Arterial-phase contrast-enhanced abdominal CT, axial slice 236 of 470 (counted from the lowest slice); tube voltage 120 kVp, convolution kernel I26f; slices 1.00 mm thick, 0.938 mm per pixel.
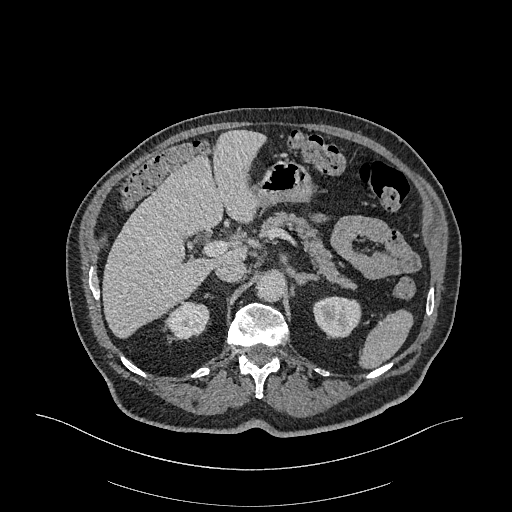
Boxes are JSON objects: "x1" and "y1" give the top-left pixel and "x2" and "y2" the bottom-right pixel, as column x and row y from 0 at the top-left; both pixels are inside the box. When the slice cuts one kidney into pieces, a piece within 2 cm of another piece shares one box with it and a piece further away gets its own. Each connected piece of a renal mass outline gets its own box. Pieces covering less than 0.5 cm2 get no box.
Two boxes on this slice (two kidney boxes), listed by box centre from the image's left to its right. (1) Right kidney, box {"x1": 166, "y1": 301, "x2": 210, "y2": 340} (outlined area 1,304 px, about 11.5 cm2). (2) Box {"x1": 312, "y1": 296, "x2": 361, "y2": 337}: left kidney (outlined area 1,625 px, about 14.3 cm2). No renal mass outline on this slice.